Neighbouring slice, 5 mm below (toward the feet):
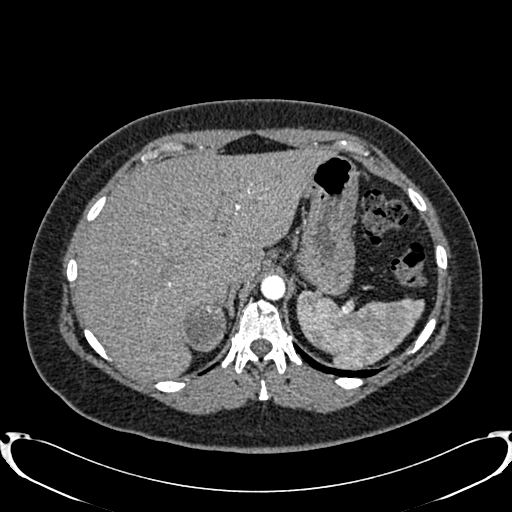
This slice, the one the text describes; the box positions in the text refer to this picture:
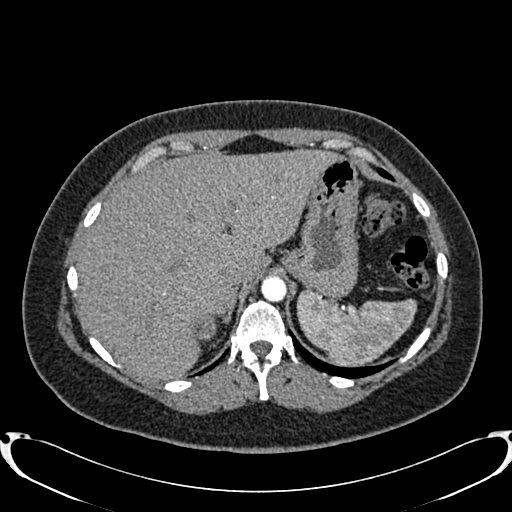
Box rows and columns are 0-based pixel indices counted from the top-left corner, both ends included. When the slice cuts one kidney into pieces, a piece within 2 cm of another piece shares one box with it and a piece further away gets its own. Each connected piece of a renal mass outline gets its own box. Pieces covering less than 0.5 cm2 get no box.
Slice 641/719 of a contrast-enhanced abdominal CT in the arterial phase, counting up from the lowest; pixel size 0.766 mm, slice thickness 1.00 mm. Box rows 314–342, columns 192–216: right renal mass (outlined area 492 px, about 2.9 cm2); no kidney is outlined on this slice, but the same outlined renal mass comes within 1 cm of the kidney on another slice. This slice lies near the end of the right renal mass toward the head; the slice 5 mm below it is shown too, and the boxes mark positions on this slice only.
Scan settings: 120 kVp, B20f reconstruction kernel.